Axial slice 405 of 665 of a contrast-enhanced abdominal CT in the arterial phase (slice 1 is the lowest), 100 kVp, kernel I26f; 1.00 mm slice thickness and 0.828 mm pixels.
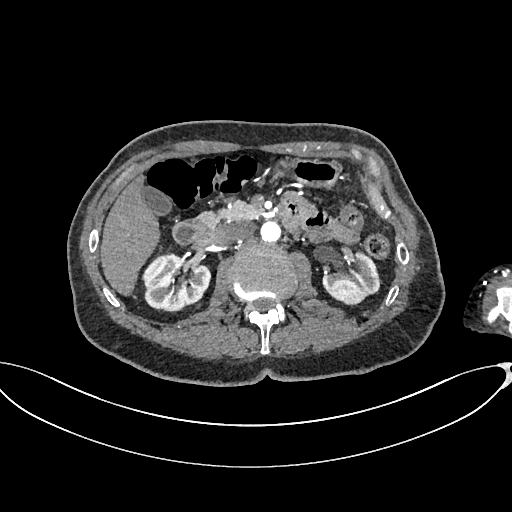
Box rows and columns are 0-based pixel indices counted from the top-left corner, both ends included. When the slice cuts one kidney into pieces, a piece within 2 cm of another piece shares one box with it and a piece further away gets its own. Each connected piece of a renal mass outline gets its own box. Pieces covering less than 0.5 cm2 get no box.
Boxed on this slice (two kidney boxes), listed by box centre from the image's left to its right: (1) Right kidney at rows 253–312, columns 142–211 (outlined area 3,136 px, about 21.5 cm2). (2) Box rows 252–305, columns 322–381: left kidney (outlined area 2,172 px, about 14.9 cm2). This slice carries no renal mass outline.